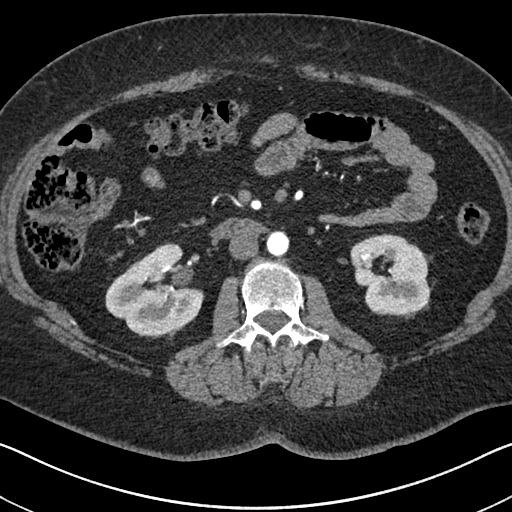
Axial slice 368 of 591 of a contrast-enhanced abdominal CT in the arterial phase (slice 1 is the lowest), 140 kVp, kernel I30f; 1.00 mm slice thickness and 0.703 mm pixels.
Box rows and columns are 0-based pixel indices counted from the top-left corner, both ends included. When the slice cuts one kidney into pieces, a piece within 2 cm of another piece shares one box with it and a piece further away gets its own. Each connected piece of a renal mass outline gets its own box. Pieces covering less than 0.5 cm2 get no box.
Two kidney boxes on this slice; by box centre, from the image's left to its right: (1) Box rows 243–339, columns 105–204: right kidney (outlined area 6,239 px, about 30.8 cm2). (2) Left kidney, box rows 233–315, columns 350–430 (outlined area 4,992 px, about 24.7 cm2). This slice carries no renal mass outline.